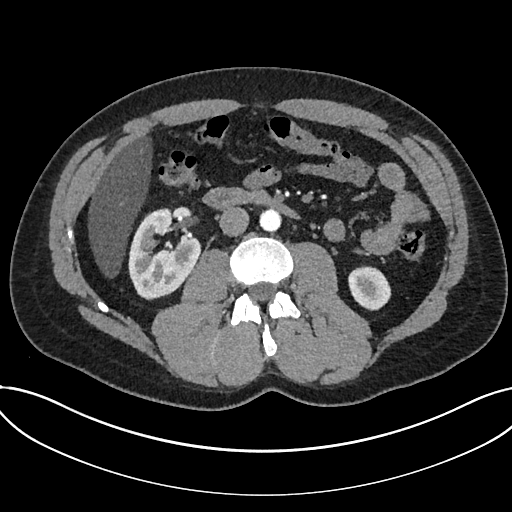
Arterial-phase contrast-enhanced abdominal CT, axial slice 374 of 735 (counted from the lowest slice); tube voltage 120 kVp, convolution kernel I30f; slices 1.00 mm thick, 0.789 mm per pixel.
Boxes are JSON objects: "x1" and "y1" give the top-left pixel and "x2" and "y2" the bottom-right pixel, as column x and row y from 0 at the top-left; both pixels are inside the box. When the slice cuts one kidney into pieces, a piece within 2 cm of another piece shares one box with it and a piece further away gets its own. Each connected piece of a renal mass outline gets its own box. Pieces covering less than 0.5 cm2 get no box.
Boxed on this slice (two kidney boxes), listed by box centre from the image's left to its right: (1) Kidney at {"x1": 128, "y1": 208, "x2": 200, "y2": 300} (outlined area 4,544 px, about 28.3 cm2). (2) Kidney at {"x1": 348, "y1": 266, "x2": 391, "y2": 310} (outlined area 1,478 px, about 9.2 cm2). No renal mass outline on this slice.